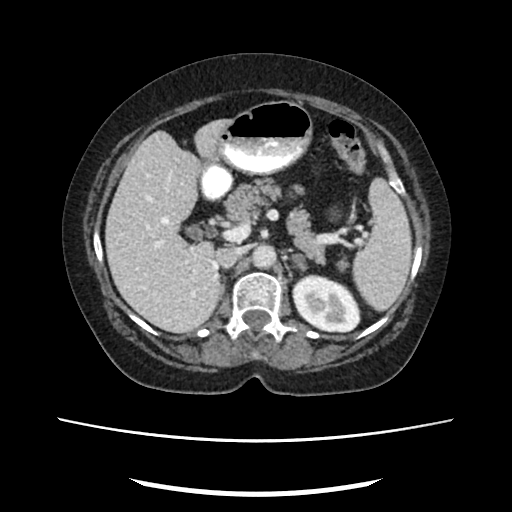
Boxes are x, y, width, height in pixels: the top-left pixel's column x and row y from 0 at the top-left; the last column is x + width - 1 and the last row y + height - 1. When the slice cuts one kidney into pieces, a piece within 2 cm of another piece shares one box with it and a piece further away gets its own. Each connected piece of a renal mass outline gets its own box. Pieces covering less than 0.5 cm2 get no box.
Slice 153/207 of a contrast-enhanced abdominal CT in the arterial phase, counting up from the lowest; pixel size 0.741 mm, slice thickness 2.00 mm. Left kidney at x 292, y 274, width 69, height 59 (outlined area 3,049 px, about 16.7 cm2). No renal mass outline on this slice.
Scan settings: 120 kVp, FC18 reconstruction kernel.